Arterial-phase contrast-enhanced abdominal CT, axial slice 34 of 77 (counted from the lowest slice); tube voltage 100 kVp, convolution kernel B41f; slices 3.00 mm thick, 0.809 mm per pixel.
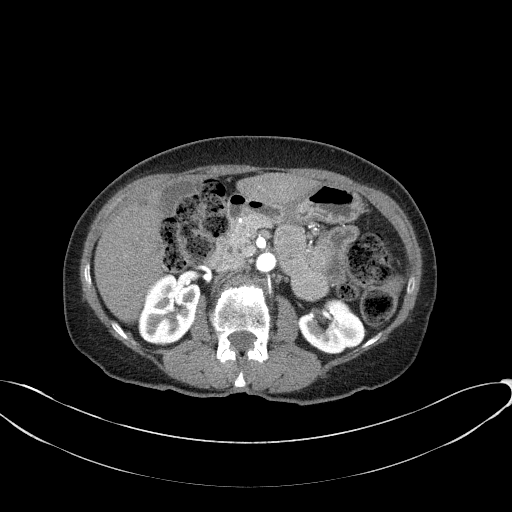
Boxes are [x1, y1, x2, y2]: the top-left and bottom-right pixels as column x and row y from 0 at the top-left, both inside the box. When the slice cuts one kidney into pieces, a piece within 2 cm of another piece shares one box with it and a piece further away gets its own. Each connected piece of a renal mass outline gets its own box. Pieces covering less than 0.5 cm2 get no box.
Boxed on this slice (two kidney boxes), listed by box centre from the image's left to its right: (1) Right kidney, box [138, 272, 201, 345] (outlined area 3,440 px, about 22.5 cm2). (2) Box [298, 298, 365, 354]: left kidney (outlined area 2,648 px, about 17.3 cm2). No renal mass is outlined on this slice.